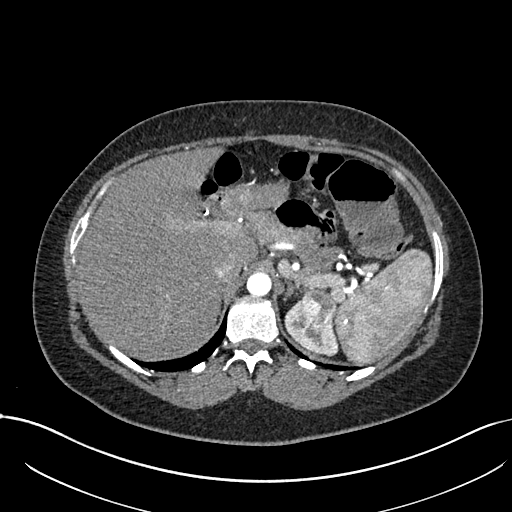
One axial slice (555 of 738, counting up from the lowest) of an arterial-phase abdominal CT acquired with 120 kVp, kernel I30f; each pixel is 0.789 mm and the slice is 1.00 mm thick.
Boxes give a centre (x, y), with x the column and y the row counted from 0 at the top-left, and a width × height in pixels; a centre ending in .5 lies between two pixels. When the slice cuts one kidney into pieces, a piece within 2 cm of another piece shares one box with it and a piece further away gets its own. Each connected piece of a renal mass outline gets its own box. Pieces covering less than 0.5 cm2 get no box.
Two boxes on this slice (one kidney box and one renal mass box), listed by box centre from the image's left to its right. (1) Left kidney in a box with centre (311, 328), 55 × 57 pixels (outlined area 1,353 px, about 8.4 cm2). (2) Left renal mass in a box with centre (318, 310.5), 35 × 44 pixels (outlined area 1,255 px, about 7.8 cm2).